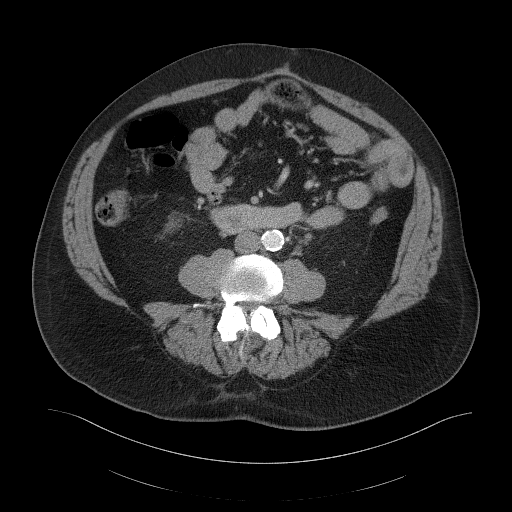
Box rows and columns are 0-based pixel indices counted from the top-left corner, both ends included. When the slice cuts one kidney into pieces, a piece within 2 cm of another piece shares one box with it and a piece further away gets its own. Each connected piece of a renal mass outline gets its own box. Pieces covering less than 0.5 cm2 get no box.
Slice 56/103 of a contrast-enhanced abdominal CT in the arterial phase, counting up from the lowest; pixel size 0.951 mm, slice thickness 5.00 mm. Right kidney, box rows 216–231, columns 165–181 (outlined area 149 px, about 1.3 cm2). No renal mass is outlined on this slice.
Acquired at 120 kVp and reconstructed with the B41f kernel.